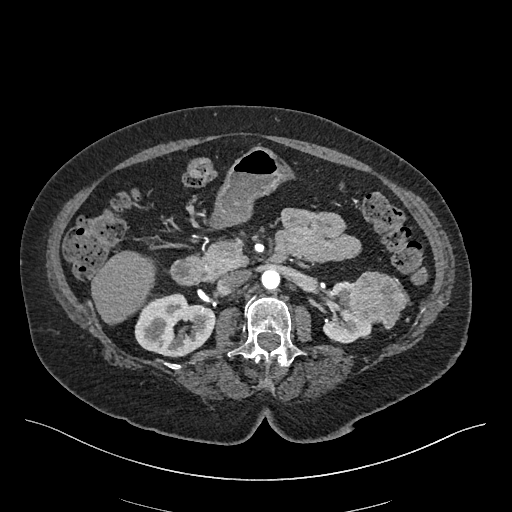
Axial slice 261 of 548 of a contrast-enhanced abdominal CT in the arterial phase (slice 1 is the lowest), 120 kVp, kernel I26f; 1.00 mm slice thickness and 0.852 mm pixels.
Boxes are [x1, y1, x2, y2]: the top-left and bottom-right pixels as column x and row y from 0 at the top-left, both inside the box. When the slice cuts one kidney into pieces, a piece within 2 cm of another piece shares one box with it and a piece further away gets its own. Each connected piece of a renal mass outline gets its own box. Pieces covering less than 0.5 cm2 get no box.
Boxed on this slice (two kidney boxes and one renal mass box), listed by box centre from the image's left to its right: (1) Right kidney, box [134, 293, 214, 357] (outlined area 3,752 px, about 27.2 cm2). (2) Left kidney, box [322, 281, 372, 343] (outlined area 1,701 px, about 12.3 cm2). (3) Left renal mass at [346, 271, 408, 329] (outlined area 2,599 px, about 18.8 cm2).